One axial slice (199 of 548, counting up from the lowest) of an arterial-phase abdominal CT acquired with 120 kVp, kernel I26f; each pixel is 0.852 mm and the slice is 1.00 mm thick.
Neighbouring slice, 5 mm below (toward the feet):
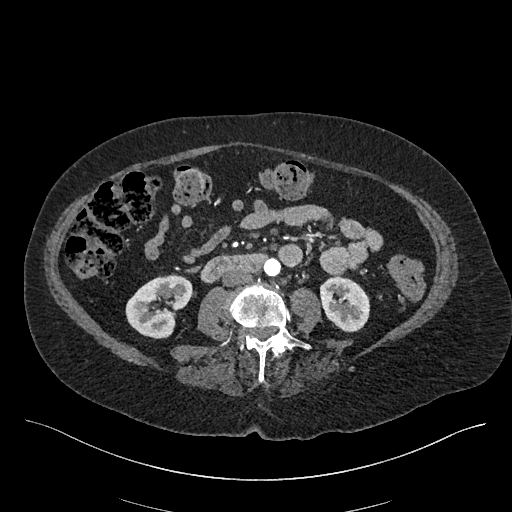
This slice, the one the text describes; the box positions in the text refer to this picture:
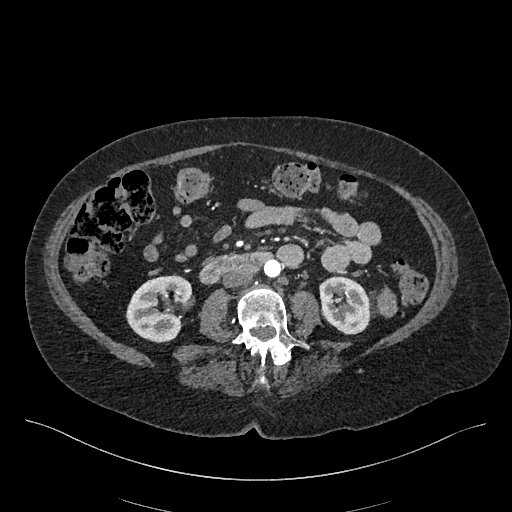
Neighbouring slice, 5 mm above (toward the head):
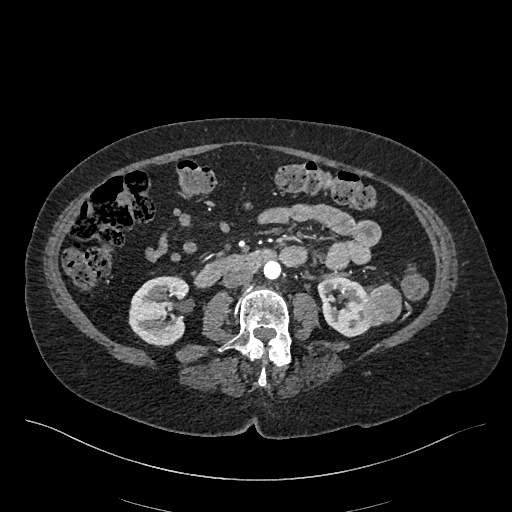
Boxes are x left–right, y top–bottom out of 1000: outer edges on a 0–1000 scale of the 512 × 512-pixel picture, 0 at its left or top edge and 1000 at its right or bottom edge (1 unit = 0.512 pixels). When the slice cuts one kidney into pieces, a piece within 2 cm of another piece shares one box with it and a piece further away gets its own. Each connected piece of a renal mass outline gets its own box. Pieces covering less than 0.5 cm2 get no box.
Two kidney boxes and one renal mass box on this slice; by box centre, from the image's left to its right: (1) Right kidney, box x 244–375, y 535–670 out of 1000 (outlined area 3,255 px, about 23.6 cm2). (2) Left kidney at x 623–723, y 537–654 out of 1000 (outlined area 2,372 px, about 17.2 cm2). (3) Box x 734–777, y 561–621 out of 1000: left renal mass (outlined area 486 px, about 3.5 cm2). This slice is near the end of the left renal mass toward the feet, so the slices 5 mm below and 5 mm above it are shown as well; the boxes refer to this slice only.